Abdominal CT with intravenous contrast, arterial phase, axial plane, 120 kVp, kernel I30f. Slice 103/261 from the bottom of the scan; thickness 2.00 mm; pixel size 0.939 mm.
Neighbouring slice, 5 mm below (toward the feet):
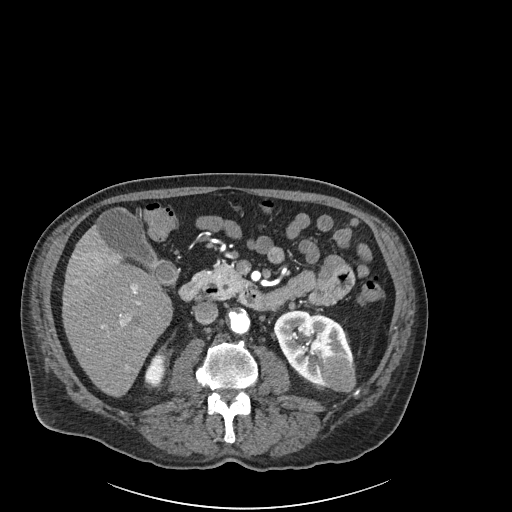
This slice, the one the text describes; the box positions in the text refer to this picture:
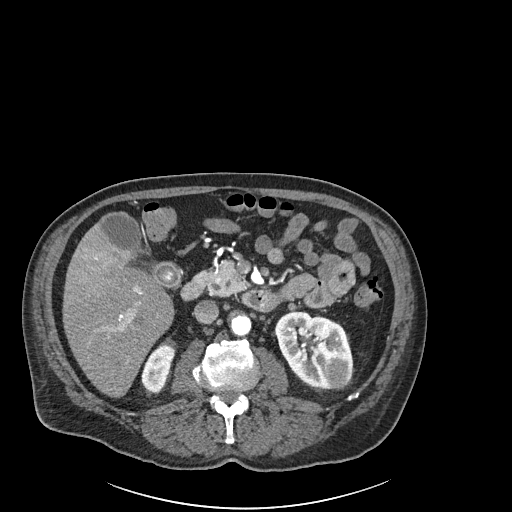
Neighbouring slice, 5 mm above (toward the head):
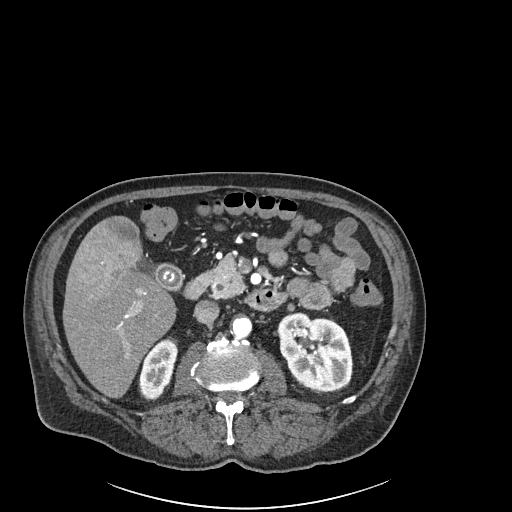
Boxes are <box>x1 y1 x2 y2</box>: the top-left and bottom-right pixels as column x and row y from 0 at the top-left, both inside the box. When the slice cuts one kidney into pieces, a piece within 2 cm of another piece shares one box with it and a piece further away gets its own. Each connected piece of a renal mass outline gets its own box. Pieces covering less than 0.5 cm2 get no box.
Boxed on this slice (two kidney boxes and one renal mass box), listed by box centre from the image's left to its right: (1) Right kidney at <box>141 344 174 391</box> (outlined area 1,091 px, about 9.6 cm2). (2) At <box>274 311 352 389</box>: left kidney (outlined area 4,378 px, about 38.6 cm2). (3) At <box>331 364 345 382</box>: left renal mass (outlined area 220 px, about 1.9 cm2). This slice lies near the end of the left renal mass toward the head; the slices 5 mm below and 5 mm above it are shown too, and the boxes mark positions on this slice only.